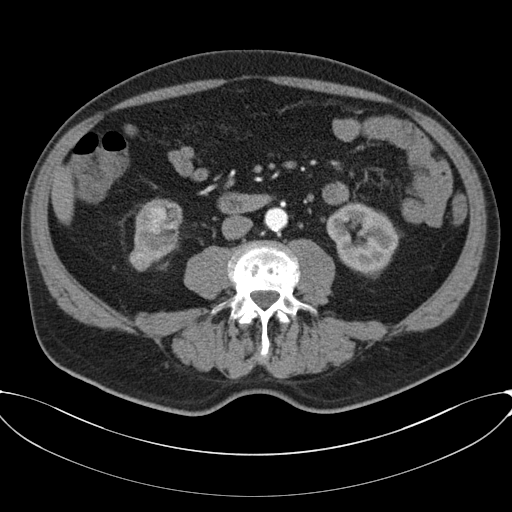
Contrast-enhanced abdominal CT, axial slice 21 of 80 (counted from the lowest slice); tube voltage 120 kVp, convolution kernel B30f; slices 3.00 mm thick, 0.822 mm per pixel.
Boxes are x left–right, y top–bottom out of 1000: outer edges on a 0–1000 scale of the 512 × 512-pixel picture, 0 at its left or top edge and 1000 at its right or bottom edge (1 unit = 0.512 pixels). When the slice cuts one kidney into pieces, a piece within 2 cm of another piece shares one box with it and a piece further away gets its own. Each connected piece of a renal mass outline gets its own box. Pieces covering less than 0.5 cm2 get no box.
Four boxes on this slice (two kidney boxes and two renal mass boxes), listed by box centre from the image's left to its right. (1) Box x 252–301, y 484–529 out of 1000: right renal mass (outlined area 407 px, about 2.8 cm2). (2) Right renal mass at x 264–326, y 398–457 out of 1000 (outlined area 755 px, about 5.1 cm2). (3) Right kidney at x 262–357, y 387–512 out of 1000 (outlined area 1,490 px, about 10.1 cm2). (4) Box x 633–783, y 393–545 out of 1000: left kidney (outlined area 3,804 px, about 25.7 cm2).